Abdominal CT with intravenous contrast, arterial phase, axial plane, 140 kVp, kernel I30f. Slice 438/591 from the bottom of the scan; thickness 1.00 mm; pixel size 0.703 mm.
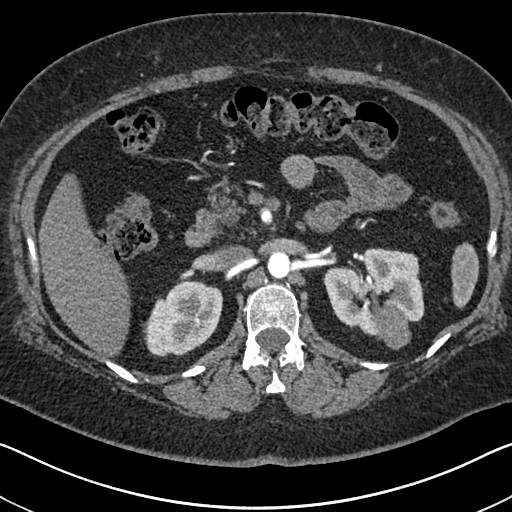
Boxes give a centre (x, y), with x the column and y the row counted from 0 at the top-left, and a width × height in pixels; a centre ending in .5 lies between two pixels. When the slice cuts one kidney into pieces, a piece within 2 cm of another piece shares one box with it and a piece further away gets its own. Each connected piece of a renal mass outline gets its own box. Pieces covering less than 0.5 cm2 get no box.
Two kidney boxes and one renal mass box on this slice; by box centre, from the image's left to its right: (1) Box centre (183, 318.5), 81 × 76 pixels: right kidney (outlined area 4,456 px, about 22.0 cm2). (2) Left kidney in a box with centre (373.5, 291.5), 102 × 88 pixels (outlined area 5,758 px, about 28.5 cm2). (3) Box centre (392, 327.5), 39 × 44 pixels: left renal mass (outlined area 1,259 px, about 6.2 cm2).